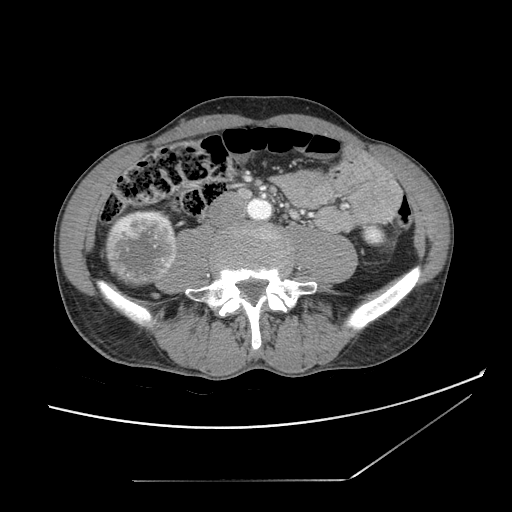
Axial slice 35 of 121 of a contrast-enhanced abdominal CT (slice 1 is the lowest), 120 kVp, kernel STANDARD; 2.50 mm slice thickness and 0.742 mm pixels.
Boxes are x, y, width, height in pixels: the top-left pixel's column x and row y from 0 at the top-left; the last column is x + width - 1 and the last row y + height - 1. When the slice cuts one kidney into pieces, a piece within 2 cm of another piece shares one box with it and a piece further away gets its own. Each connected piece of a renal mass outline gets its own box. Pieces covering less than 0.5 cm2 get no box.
Boxed on this slice (one kidney box and one renal mass box), listed by box centre from the image's left to its right: (1) Right renal mass at x 104, y 209, width 73, height 77 (outlined area 4,461 px, about 24.6 cm2); here it is more than 1 cm from any kidney outline, though on another slice the same outlined renal mass lies within 1 cm of the kidney. (2) Left kidney, box x 361, y 225, width 26, height 22 (outlined area 457 px, about 2.5 cm2).